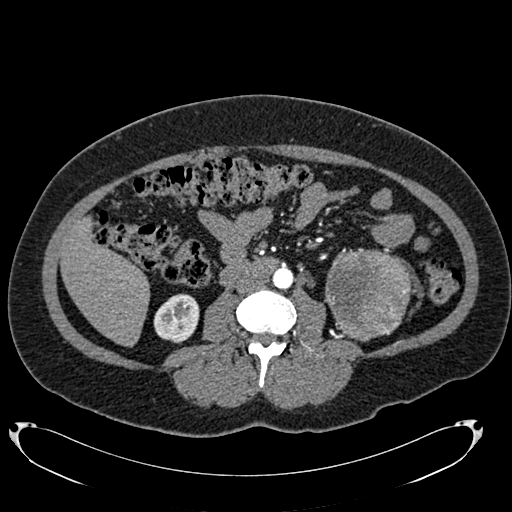
Axial slice 349 of 634 of a contrast-enhanced abdominal CT in the arterial phase (slice 1 is the lowest), 120 kVp, kernel B20f; 1.00 mm slice thickness and 0.838 mm pixels.
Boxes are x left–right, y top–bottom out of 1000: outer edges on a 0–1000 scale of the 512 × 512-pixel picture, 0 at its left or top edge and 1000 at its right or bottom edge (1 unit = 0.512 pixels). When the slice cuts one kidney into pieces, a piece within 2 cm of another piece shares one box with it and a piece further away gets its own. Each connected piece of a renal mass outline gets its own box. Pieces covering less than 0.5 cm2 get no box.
Boxed on this slice (one kidney box and one renal mass box), listed by box centre from the image's left to its right: (1) Box x 299–391, y 572–672 out of 1000: right kidney (outlined area 1,751 px, about 12.3 cm2). (2) Box x 633–811, y 484–668 out of 1000: left renal mass (outlined area 6,399 px, about 44.9 cm2); here it is more than 1 cm from any kidney outline, though on another slice the same outlined renal mass lies within 1 cm of the kidney.